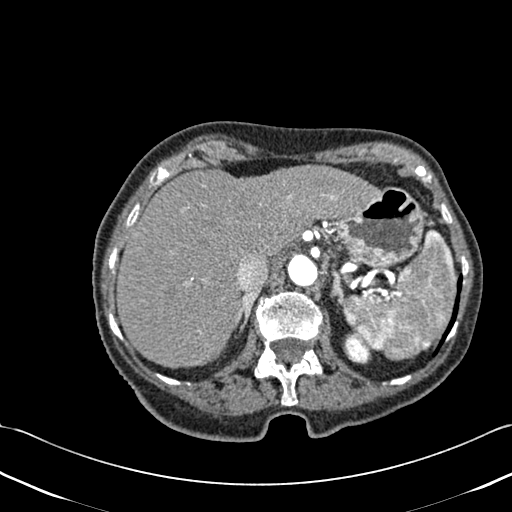
One axial slice (342 of 433, counting up from the lowest) of a contrast-enhanced abdominal CT acquired with 120 kVp, kernel B30f; each pixel is 0.672 mm and the slice is 1.00 mm thick.
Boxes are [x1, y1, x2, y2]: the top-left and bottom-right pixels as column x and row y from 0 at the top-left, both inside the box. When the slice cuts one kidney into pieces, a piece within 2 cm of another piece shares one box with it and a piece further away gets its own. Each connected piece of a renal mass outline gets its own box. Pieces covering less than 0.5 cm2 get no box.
Box [342, 331, 372, 364]: left kidney (outlined area 716 px, about 3.2 cm2). No renal mass outline on this slice.